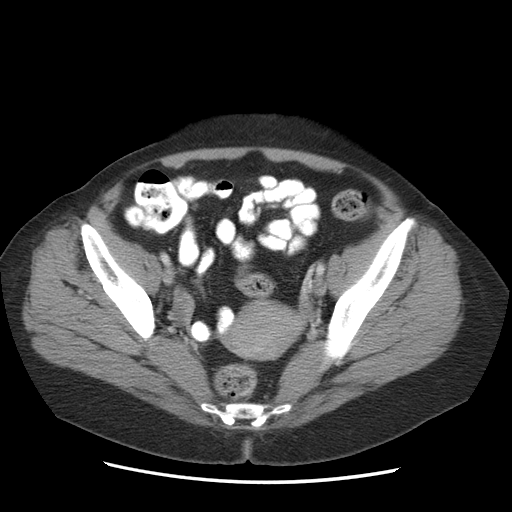
Contrast-enhanced abdominal CT, axial slice 19 of 84 (counted from the lowest slice); tube voltage 140 kVp, convolution kernel STANDARD; slices 5.00 mm thick, 0.717 mm per pixel.
Neither a kidney nor a renal mass is outlined here. Only kidneys and renal masses are outlined anywhere in this scan; other structures are never outlined.